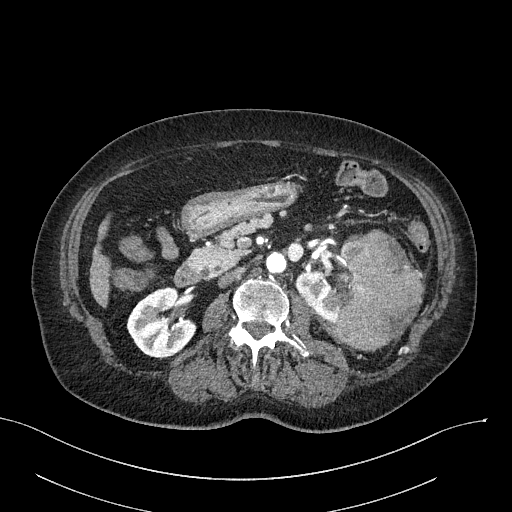
Abdominal CT with intravenous contrast, arterial phase, axial plane, 100 kVp, kernel I40f. Slice 129/316 from the bottom of the scan; thickness 2.00 mm; pixel size 0.840 mm.
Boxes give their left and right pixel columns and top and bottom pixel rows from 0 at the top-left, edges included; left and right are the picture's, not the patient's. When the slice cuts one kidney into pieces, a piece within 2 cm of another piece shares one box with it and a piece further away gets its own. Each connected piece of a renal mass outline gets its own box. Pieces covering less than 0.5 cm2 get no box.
Three boxes on this slice (two kidney boxes and one renal mass box), listed by box centre from the image's left to its right. (1) Right kidney, the box with left 126, top 287, right 196, bottom 357 (outlined area 3,516 px, about 24.8 cm2). (2) Left kidney, the box with left 295, top 246, right 350, bottom 323 (outlined area 2,619 px, about 18.5 cm2). (3) Left renal mass in the box with left 335, top 229, right 424, bottom 350 (outlined area 7,727 px, about 54.5 cm2).